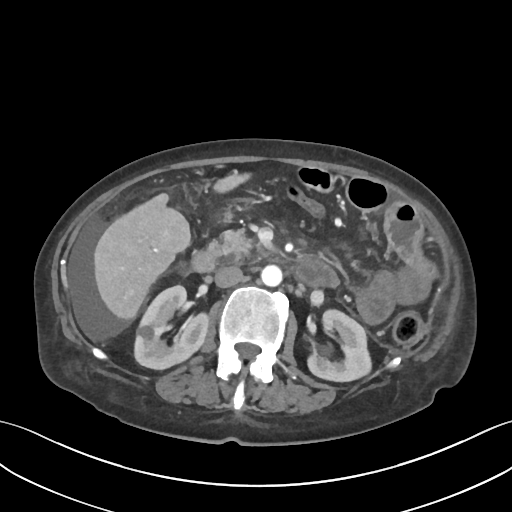
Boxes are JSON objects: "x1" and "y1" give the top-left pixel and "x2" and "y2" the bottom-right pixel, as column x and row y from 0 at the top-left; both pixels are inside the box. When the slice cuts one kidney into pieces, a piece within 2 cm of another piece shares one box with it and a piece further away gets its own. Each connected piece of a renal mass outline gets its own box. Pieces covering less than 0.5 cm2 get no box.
This is axial slice 41 of 109 (slice 1 is the lowest) of an abdominal CT with contrast; each pixel is 0.742 mm and the slice is 3.00 mm thick. Two kidney boxes on this slice; by box centre, from the image's left to its right: (1) Box {"x1": 133, "y1": 285, "x2": 208, "y2": 369}: right kidney (outlined area 4,373 px, about 24.1 cm2). (2) Left kidney at {"x1": 306, "y1": 308, "x2": 372, "y2": 382} (outlined area 3,465 px, about 19.1 cm2). No renal mass is outlined on this slice.
Acquired at 120 kVp and reconstructed with the I30f kernel.